Abdominal CT with intravenous contrast, axial plane, 120 kVp, kernel I40f. Slice 35/301 from the bottom of the scan; thickness 2.00 mm; pixel size 0.859 mm.
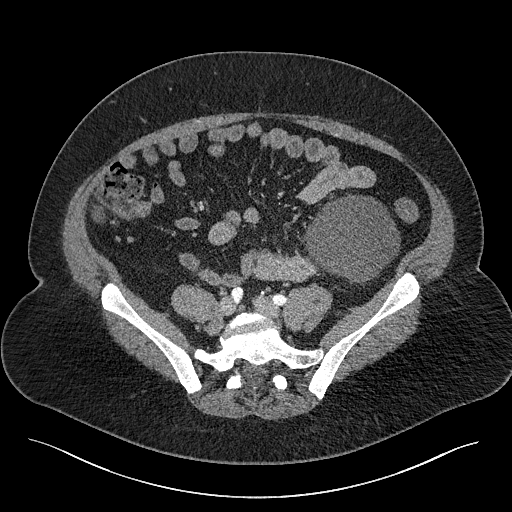
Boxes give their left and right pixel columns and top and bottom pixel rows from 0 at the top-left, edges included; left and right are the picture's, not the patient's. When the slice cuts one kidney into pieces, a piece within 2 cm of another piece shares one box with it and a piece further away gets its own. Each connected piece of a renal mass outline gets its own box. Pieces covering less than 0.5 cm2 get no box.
Box with left 302, top 194, right 400, bottom 285: left renal mass (outlined area 6,248 px, about 46.1 cm2); no kidney is outlined on this slice, but the same outlined renal mass comes within 1 cm of the kidney on another slice.